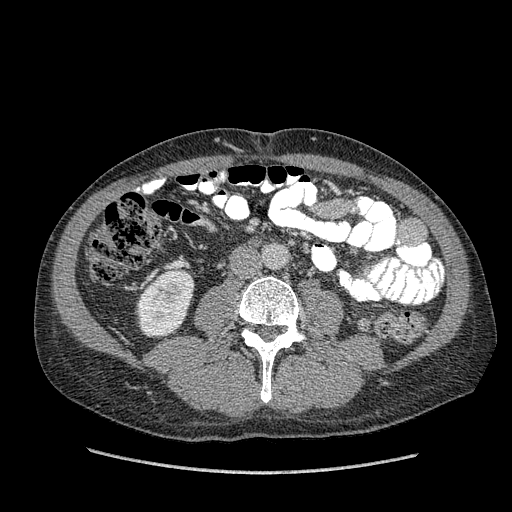
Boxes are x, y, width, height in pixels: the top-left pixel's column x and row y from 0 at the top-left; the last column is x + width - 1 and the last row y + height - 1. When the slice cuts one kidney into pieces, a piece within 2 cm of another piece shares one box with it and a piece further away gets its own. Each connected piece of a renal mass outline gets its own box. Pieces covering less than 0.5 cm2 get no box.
Slice 166/349 of a contrast-enhanced abdominal CT in the arterial phase, counting up from the lowest; pixel size 0.742 mm, slice thickness 1.25 mm. Box x 135, y 269, width 60, height 69: right kidney (outlined area 3,067 px, about 16.9 cm2). This slice carries no renal mass outline.
Scan settings: 120 kVp, STANDARD reconstruction kernel.